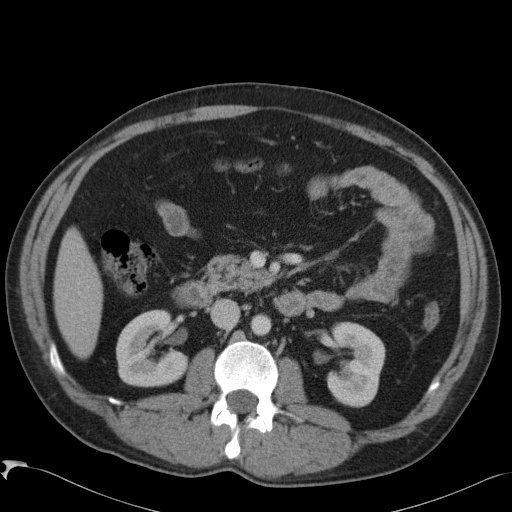
One axial slice (55 of 88, counting up from the lowest) of an arterial-phase abdominal CT acquired with 120 kVp, kernel B41f; each pixel is 0.723 mm and the slice is 5.00 mm thick.
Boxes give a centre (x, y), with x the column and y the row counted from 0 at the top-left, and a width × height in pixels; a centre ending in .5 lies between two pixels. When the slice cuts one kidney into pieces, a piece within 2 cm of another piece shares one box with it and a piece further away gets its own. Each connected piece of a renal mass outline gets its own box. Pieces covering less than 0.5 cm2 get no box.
Two boxes on this slice (two kidney boxes), listed by box centre from the image's left to its right. (1) Right kidney in a box with centre (152, 348), 73 × 79 pixels (outlined area 4,288 px, about 22.4 cm2). (2) Box centre (355.5, 364), 60 × 87 pixels: left kidney (outlined area 3,803 px, about 19.9 cm2). No renal mass is outlined on this slice.